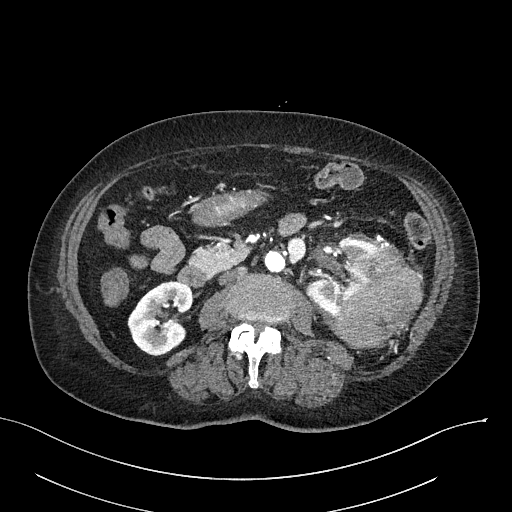
Arterial-phase contrast-enhanced abdominal CT, axial slice 118 of 316 (counted from the lowest slice); tube voltage 100 kVp, convolution kernel I40f; slices 2.00 mm thick, 0.840 mm per pixel.
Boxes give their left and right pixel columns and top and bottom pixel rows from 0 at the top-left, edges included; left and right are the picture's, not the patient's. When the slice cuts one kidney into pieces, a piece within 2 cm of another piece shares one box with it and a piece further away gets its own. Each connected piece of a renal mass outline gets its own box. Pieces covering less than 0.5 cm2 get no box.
Two kidney boxes and one renal mass box on this slice; by box centre, from the image's left to its right: (1) Right kidney, the box with left 127, top 280, right 192, bottom 356 (outlined area 3,518 px, about 24.8 cm2). (2) Box with left 305, top 239, right 376, bottom 316: left kidney (outlined area 2,545 px, about 18.0 cm2). (3) Left renal mass, the box with left 335, top 245, right 422, bottom 348 (outlined area 6,173 px, about 43.5 cm2).